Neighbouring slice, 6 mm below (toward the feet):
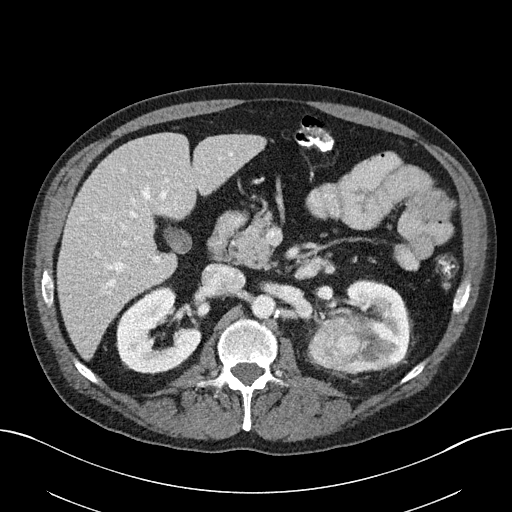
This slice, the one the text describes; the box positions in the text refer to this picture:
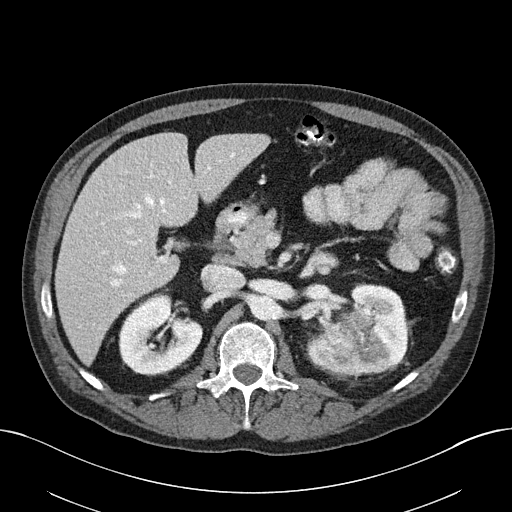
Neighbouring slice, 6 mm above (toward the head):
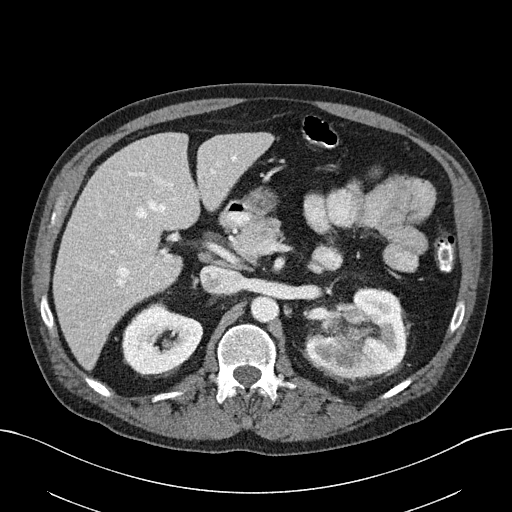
One axial slice (118 of 163, counting up from the lowest) of a contrast-enhanced abdominal CT acquired with 100 kVp, kernel I40f; each pixel is 0.799 mm and the slice is 3.00 mm thick.
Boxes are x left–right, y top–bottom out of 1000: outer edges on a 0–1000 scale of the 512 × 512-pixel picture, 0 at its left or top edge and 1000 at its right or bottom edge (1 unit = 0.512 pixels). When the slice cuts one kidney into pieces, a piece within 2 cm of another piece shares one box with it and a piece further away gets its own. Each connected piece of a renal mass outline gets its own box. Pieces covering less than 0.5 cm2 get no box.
Two kidney boxes and one renal mass box on this slice; by box centre, from the image's left to its right: (1) Right kidney at x 232–396, y 572–732 out of 1000 (outlined area 4,760 px, about 30.4 cm2). (2) Left renal mass at x 635–695, y 641–686 out of 1000 (outlined area 556 px, about 3.5 cm2). (3) Left kidney, box x 600–803, y 555–738 out of 1000 (outlined area 6,412 px, about 40.9 cm2). This slice is near the end of the left renal mass toward the head, so the slices 6 mm below and 6 mm above it are shown as well; the boxes refer to this slice only.